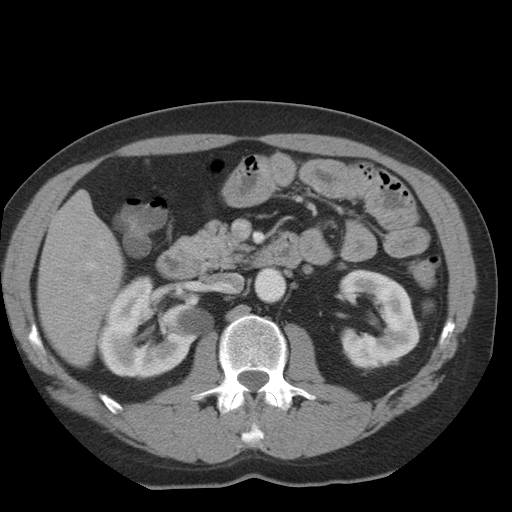
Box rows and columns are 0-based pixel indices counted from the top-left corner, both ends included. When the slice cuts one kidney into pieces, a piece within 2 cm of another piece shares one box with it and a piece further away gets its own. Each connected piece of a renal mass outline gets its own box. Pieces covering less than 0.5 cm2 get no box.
This is axial slice 15 of 36 (slice 1 is the lowest) of an arterial-phase abdominal CT with contrast; each pixel is 0.703 mm and the slice is 5.00 mm thick. Boxed on this slice (two kidney boxes), listed by box centre from the image's left to its right: (1) Right kidney, box rows 275–379, columns 98–213 (outlined area 7,916 px, about 39.1 cm2). (2) Left kidney, box rows 269–368, columns 338–420 (outlined area 5,420 px, about 26.8 cm2).
Scan settings: 140 kVp, STANDARD reconstruction kernel.